Axial slice 403 of 683 of a contrast-enhanced abdominal CT in the arterial phase (slice 1 is the lowest), 120 kVp, kernel I30f; 1.00 mm slice thickness and 0.738 mm pixels.
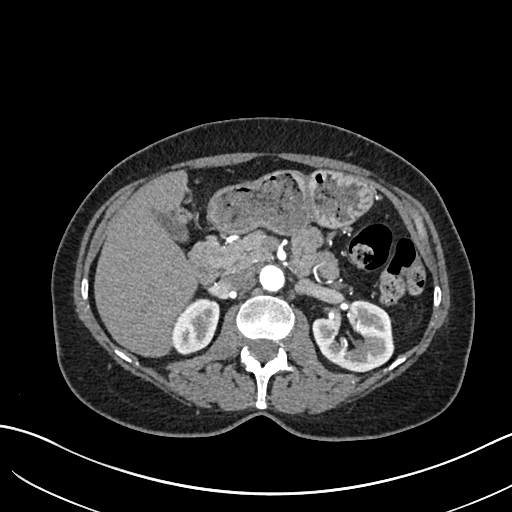
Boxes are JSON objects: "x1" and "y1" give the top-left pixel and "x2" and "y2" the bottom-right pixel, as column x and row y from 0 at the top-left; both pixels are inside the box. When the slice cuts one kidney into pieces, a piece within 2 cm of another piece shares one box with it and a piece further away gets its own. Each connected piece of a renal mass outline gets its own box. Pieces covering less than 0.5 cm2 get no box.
Two kidney boxes on this slice; by box centre, from the image's left to its right: (1) Right kidney at {"x1": 173, "y1": 298, "x2": 219, "y2": 354} (outlined area 1,952 px, about 10.6 cm2). (2) Left kidney at {"x1": 312, "y1": 299, "x2": 394, "y2": 369} (outlined area 4,157 px, about 22.7 cm2). No renal mass outline on this slice.